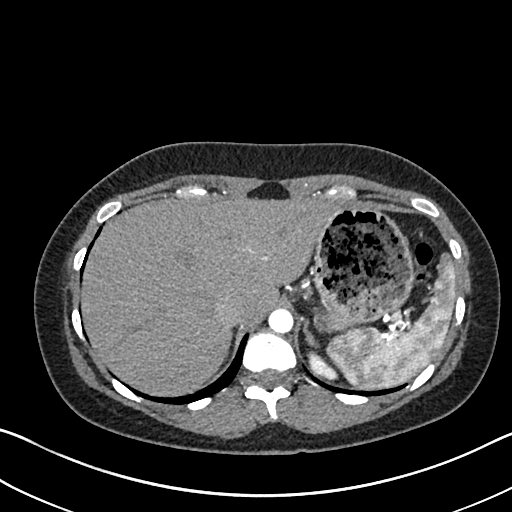
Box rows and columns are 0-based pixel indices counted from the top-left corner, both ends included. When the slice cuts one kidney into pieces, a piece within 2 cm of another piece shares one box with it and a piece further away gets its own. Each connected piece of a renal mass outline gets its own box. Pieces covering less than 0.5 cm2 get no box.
Slice 557/612 of a contrast-enhanced abdominal CT in the arterial phase, counting up from the lowest; pixel size 0.703 mm, slice thickness 1.00 mm. Left kidney, box rows 350–379, columns 307–338 (outlined area 504 px, about 2.5 cm2). No renal mass outline on this slice.
Tube voltage 120 kVp; convolution kernel I30f.